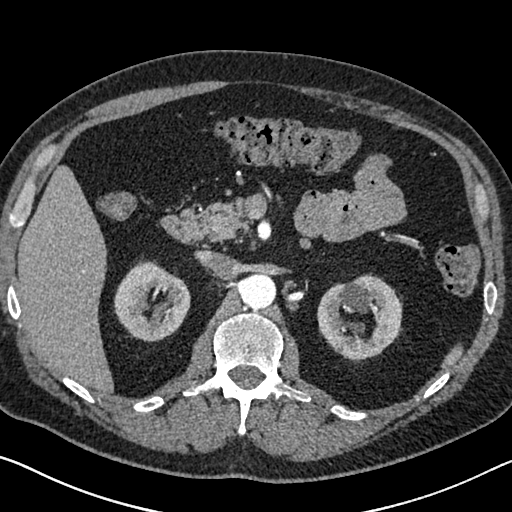
Abdominal CT with intravenous contrast, arterial phase, axial plane, 120 kVp, kernel I30f. Slice 441/626 from the bottom of the scan; thickness 1.00 mm; pixel size 0.703 mm.
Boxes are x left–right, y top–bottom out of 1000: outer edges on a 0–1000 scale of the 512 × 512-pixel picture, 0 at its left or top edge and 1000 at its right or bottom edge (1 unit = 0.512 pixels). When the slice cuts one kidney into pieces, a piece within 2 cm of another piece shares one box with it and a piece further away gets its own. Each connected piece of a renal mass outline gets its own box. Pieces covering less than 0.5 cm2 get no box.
Boxed on this slice (two kidney boxes), listed by box centre from the image's left to its right: (1) Box x 223–373, y 508–668 out of 1000: right kidney (outlined area 4,418 px, about 21.8 cm2). (2) Left kidney, box x 619–787, y 533–709 out of 1000 (outlined area 5,179 px, about 25.6 cm2). This slice carries no renal mass outline.